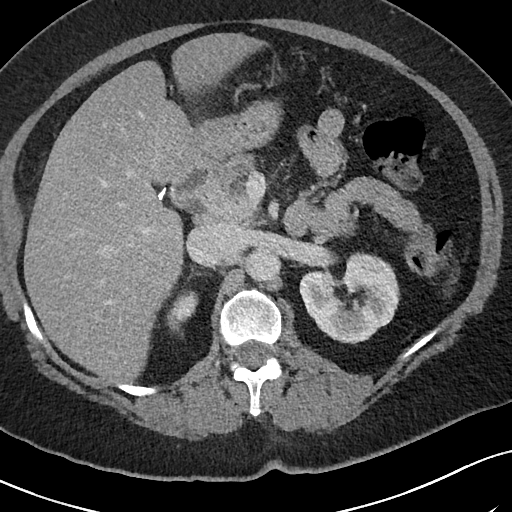
One axial slice (52 of 69, counting up from the lowest) of an arterial-phase abdominal CT acquired with 120 kVp, kernel I40f; each pixel is 0.664 mm and the slice is 3.00 mm thick.
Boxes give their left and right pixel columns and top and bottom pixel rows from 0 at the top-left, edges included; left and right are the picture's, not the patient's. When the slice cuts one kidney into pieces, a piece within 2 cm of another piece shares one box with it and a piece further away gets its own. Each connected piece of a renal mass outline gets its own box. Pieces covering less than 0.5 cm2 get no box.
Two kidney boxes on this slice; by box centre, from the image's left to its right: (1) Right kidney in the box with left 166, top 289, right 198, bottom 337 (outlined area 888 px, about 3.9 cm2). (2) Left kidney in the box with left 299, top 251, right 400, bottom 344 (outlined area 6,440 px, about 28.4 cm2). No renal mass outline on this slice.